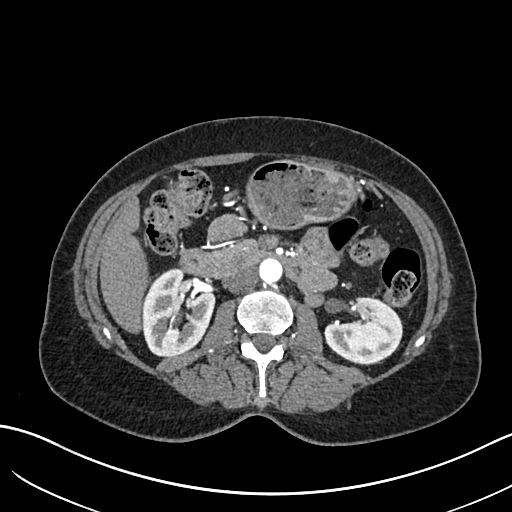
Arterial-phase contrast-enhanced abdominal CT, axial slice 364 of 683 (counted from the lowest slice); tube voltage 120 kVp, convolution kernel I30f; slices 1.00 mm thick, 0.738 mm per pixel.
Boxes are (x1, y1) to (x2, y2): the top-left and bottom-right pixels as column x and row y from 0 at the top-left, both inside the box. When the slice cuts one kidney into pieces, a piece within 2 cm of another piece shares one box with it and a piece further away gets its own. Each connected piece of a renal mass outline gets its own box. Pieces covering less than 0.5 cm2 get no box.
Boxed on this slice (two kidney boxes), listed by box centre from the image's left to its right: (1) Box (141, 268) to (215, 356): right kidney (outlined area 4,892 px, about 26.7 cm2). (2) Box (324, 296) to (402, 361): left kidney (outlined area 3,643 px, about 19.9 cm2). No renal mass is outlined on this slice.